One axial slice (3 of 50, counting up from the lowest) of an arterial-phase abdominal CT acquired with 100 kVp, kernel I41f; each pixel is 0.758 mm and the slice is 3.00 mm thick.
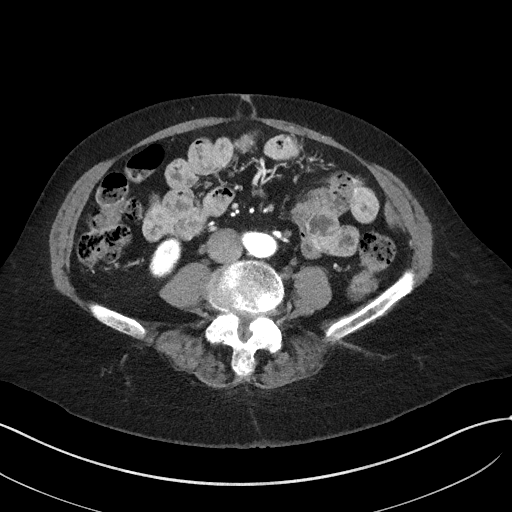
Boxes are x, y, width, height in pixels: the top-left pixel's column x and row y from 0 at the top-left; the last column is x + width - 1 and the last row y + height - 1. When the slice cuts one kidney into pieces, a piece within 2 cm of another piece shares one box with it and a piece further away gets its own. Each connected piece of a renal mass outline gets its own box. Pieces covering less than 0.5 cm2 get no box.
Right kidney, box x 149, y 239, width 33, height 40 (outlined area 930 px, about 5.3 cm2). This slice carries no renal mass outline.